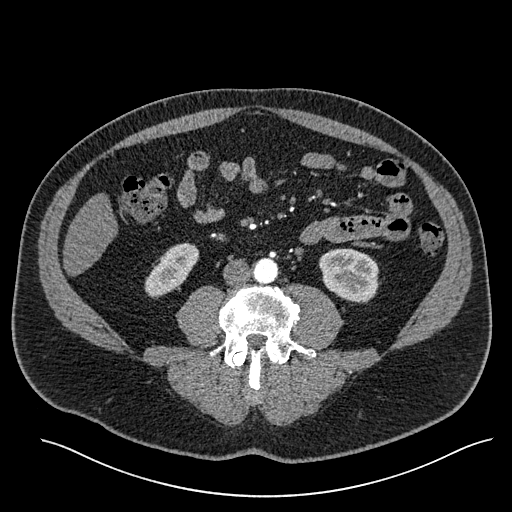
Arterial-phase contrast-enhanced abdominal CT, axial slice 213 of 527 (counted from the lowest slice); tube voltage 120 kVp, convolution kernel I30f; slices 1.00 mm thick, 0.859 mm per pixel.
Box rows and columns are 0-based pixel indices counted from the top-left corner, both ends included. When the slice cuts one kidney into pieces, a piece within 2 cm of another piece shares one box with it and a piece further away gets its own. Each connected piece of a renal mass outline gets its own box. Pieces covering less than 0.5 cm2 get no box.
Boxed on this slice (two kidney boxes), listed by box centre from the image's left to its right: (1) Box rows 242–297, columns 144–199: right kidney (outlined area 1,838 px, about 13.6 cm2). (2) Box rows 248–303, columns 318–380: left kidney (outlined area 2,613 px, about 19.3 cm2). No renal mass outline on this slice.